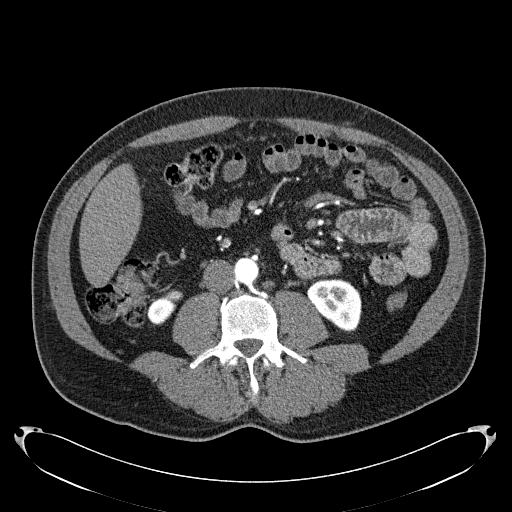
One axial slice (74 of 279, counting up from the lowest) of an arterial-phase abdominal CT acquired with 120 kVp, kernel B31f; each pixel is 0.824 mm and the slice is 2.00 mm thick.
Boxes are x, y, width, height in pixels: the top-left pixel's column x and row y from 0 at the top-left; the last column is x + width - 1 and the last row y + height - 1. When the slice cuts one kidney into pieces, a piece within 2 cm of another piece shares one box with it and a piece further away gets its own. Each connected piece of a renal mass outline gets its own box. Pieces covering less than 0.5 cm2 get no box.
Boxed on this slice (two kidney boxes), listed by box centre from the image's left to its right: (1) Right kidney, box x 146, y 290, width 37, height 34 (outlined area 735 px, about 5.0 cm2). (2) Left kidney at x 306, y 278, width 56, height 55 (outlined area 2,138 px, about 14.5 cm2). No renal mass outline on this slice.